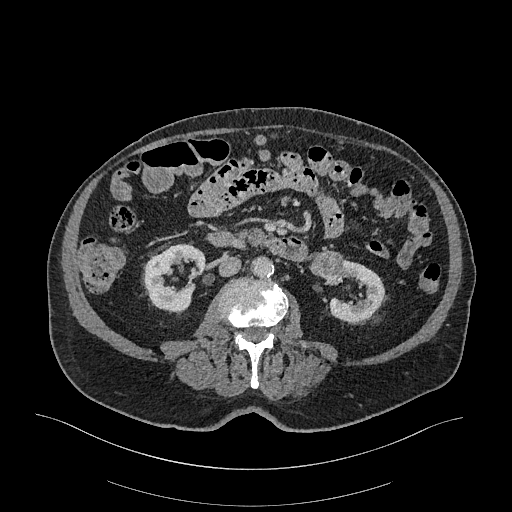
Abdominal CT with intravenous contrast, arterial phase, axial plane, 120 kVp, kernel I26f. Slice 124/470 from the bottom of the scan; thickness 1.00 mm; pixel size 0.938 mm.
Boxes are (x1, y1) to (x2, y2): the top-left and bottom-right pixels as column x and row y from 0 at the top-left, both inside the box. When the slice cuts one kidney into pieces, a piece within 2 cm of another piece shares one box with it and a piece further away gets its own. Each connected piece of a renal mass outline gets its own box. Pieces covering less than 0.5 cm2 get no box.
Two kidney boxes and one renal mass box on this slice; by box centre, from the image's left to its right: (1) Right kidney from (141, 244) to (206, 313) (outlined area 2,933 px, about 25.8 cm2). (2) Left renal mass, box (310, 250) to (343, 285) (outlined area 949 px, about 8.3 cm2). (3) Box (322, 257) to (385, 322): left kidney (outlined area 2,126 px, about 18.7 cm2).